Abdominal CT with intravenous contrast, arterial phase, axial plane, 120 kVp, kernel I30f. Slice 279/626 from the bottom of the scan; thickness 1.00 mm; pixel size 0.703 mm.
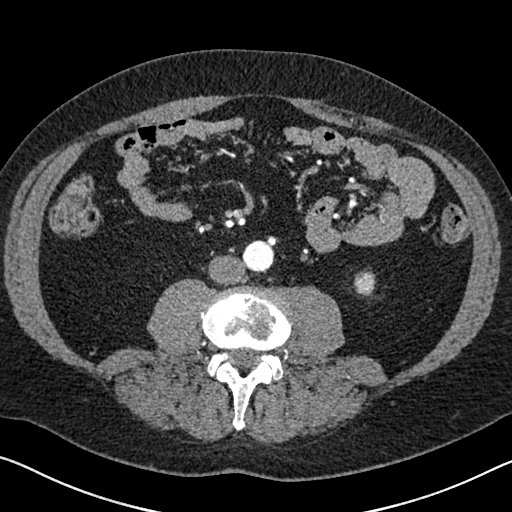
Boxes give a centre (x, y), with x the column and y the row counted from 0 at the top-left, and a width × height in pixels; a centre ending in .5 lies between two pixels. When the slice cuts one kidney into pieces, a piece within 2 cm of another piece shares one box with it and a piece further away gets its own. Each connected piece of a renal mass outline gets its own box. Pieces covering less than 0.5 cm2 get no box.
Box centre (364, 283), 23 × 27 pixels: left kidney (outlined area 468 px, about 2.3 cm2). No renal mass outline on this slice.